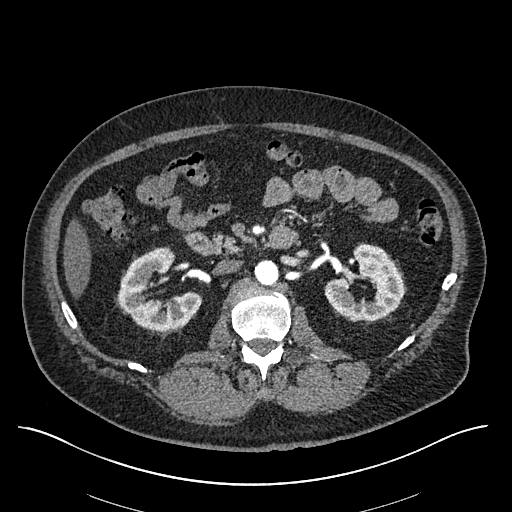
Arterial-phase contrast-enhanced abdominal CT, axial slice 336 of 670 (counted from the lowest slice); tube voltage 120 kVp, convolution kernel I30f; slices 1.00 mm thick, 0.861 mm per pixel.
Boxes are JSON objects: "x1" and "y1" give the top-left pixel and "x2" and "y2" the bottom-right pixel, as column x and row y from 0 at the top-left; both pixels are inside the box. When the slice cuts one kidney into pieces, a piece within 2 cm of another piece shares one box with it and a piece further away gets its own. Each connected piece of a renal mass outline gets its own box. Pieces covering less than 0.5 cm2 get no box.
Boxed on this slice (two kidney boxes), listed by box centre from the image's left to its right: (1) Right kidney, box {"x1": 117, "y1": 247, "x2": 201, "y2": 330} (outlined area 4,238 px, about 31.4 cm2). (2) Left kidney, box {"x1": 324, "y1": 243, "x2": 404, "y2": 320} (outlined area 3,976 px, about 29.5 cm2).